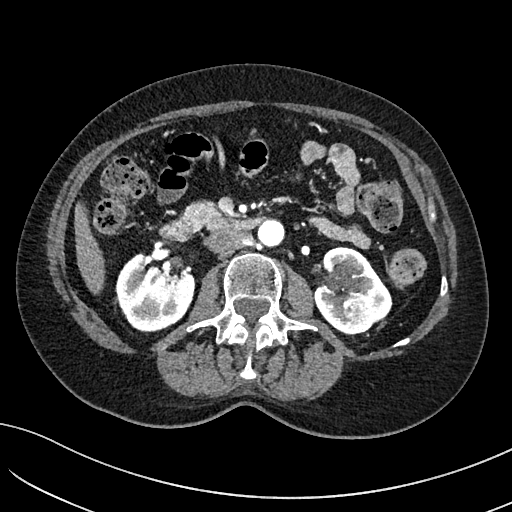
Abdominal CT with intravenous contrast, arterial phase, axial plane, 100 kVp, kernel I40f. Slice 56/234 from the bottom of the scan; thickness 2.00 mm; pixel size 0.699 mm.
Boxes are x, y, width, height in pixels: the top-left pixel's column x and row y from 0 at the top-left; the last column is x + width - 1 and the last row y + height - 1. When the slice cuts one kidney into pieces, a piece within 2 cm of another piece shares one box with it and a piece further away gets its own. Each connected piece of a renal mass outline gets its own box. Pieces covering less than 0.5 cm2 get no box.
Boxed on this slice (two kidney boxes and one renal mass box), listed by box centre from the image's left to its right: (1) Box x 115, y 252, width 81, height 81: right kidney (outlined area 4,689 px, about 22.9 cm2). (2) Box x 311, y 246, width 82, height 89: left kidney (outlined area 3,819 px, about 18.7 cm2). (3) Box x 341, y 293, width 42, height 42: left renal mass (outlined area 1,142 px, about 5.6 cm2).